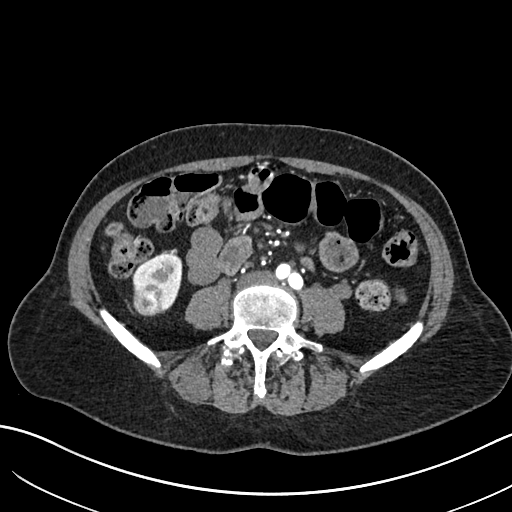
Arterial-phase contrast-enhanced abdominal CT, axial slice 262 of 683 (counted from the lowest slice); tube voltage 120 kVp, convolution kernel I30f; slices 1.00 mm thick, 0.738 mm per pixel.
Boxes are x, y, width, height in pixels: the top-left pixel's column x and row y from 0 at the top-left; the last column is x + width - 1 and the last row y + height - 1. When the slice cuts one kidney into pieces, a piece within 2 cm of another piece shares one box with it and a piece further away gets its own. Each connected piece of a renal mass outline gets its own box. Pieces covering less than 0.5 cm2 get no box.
One kidney box and one renal mass box on this slice; by box centre, from the image's left to its right: (1) Box x 133, y 283, width 31, height 33: right renal mass (outlined area 847 px, about 4.6 cm2). (2) Right kidney at x 132, y 253, width 51, height 60 (outlined area 1,692 px, about 9.2 cm2).